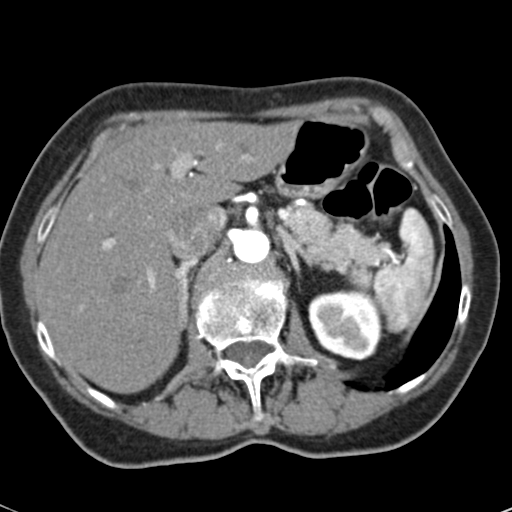
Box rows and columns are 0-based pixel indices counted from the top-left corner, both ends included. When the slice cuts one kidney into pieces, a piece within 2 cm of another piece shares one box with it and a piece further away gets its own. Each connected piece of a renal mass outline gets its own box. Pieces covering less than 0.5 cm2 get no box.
This is axial slice 44 of 53 (slice 1 is the lowest) of an arterial-phase abdominal CT with contrast; each pixel is 0.547 mm and the slice is 3.00 mm thick. Left kidney at rows 289–360, columns 308–383 (outlined area 4,206 px, about 12.6 cm2). No renal mass is outlined on this slice.
Scan settings: 120 kVp, B30f reconstruction kernel.